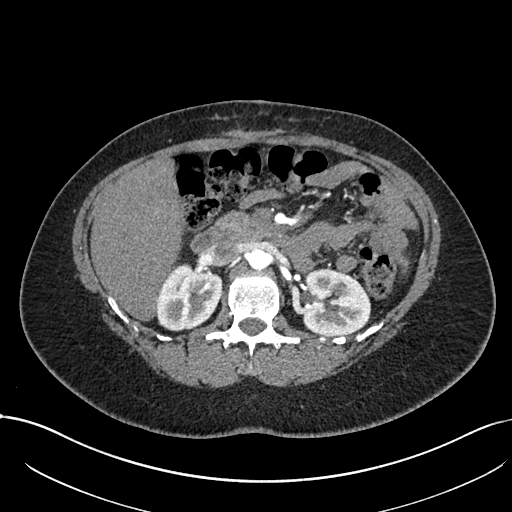
Abdominal CT with intravenous contrast, arterial phase, axial plane, 120 kVp, kernel I30f. Slice 453/738 from the bottom of the scan; thickness 1.00 mm; pixel size 0.789 mm.
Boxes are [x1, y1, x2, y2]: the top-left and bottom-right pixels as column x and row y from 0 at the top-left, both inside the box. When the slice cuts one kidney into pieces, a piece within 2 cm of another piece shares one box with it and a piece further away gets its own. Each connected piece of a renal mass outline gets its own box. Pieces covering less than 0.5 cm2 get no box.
Two boxes on this slice (two kidney boxes), listed by box centre from the image's left to its right. (1) Right kidney, box [156, 263, 222, 331] (outlined area 3,388 px, about 21.1 cm2). (2) Left kidney, box [302, 268, 370, 336] (outlined area 3,866 px, about 24.1 cm2). This slice carries no renal mass outline.